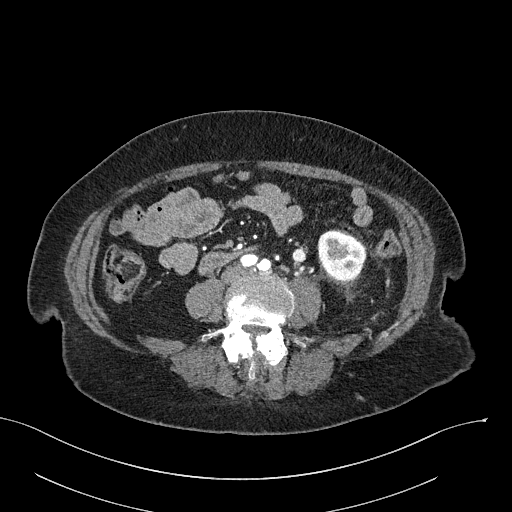
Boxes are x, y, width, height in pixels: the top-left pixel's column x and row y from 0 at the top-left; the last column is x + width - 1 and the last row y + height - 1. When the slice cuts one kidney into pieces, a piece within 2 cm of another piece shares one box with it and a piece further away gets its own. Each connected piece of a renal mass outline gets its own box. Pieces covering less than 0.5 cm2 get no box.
Slice 78/316 of a contrast-enhanced abdominal CT in the arterial phase, counting up from the lowest; pixel size 0.840 mm, slice thickness 2.00 mm. Box x 318, y 230, width 47, height 52: left kidney (outlined area 1,874 px, about 13.2 cm2). No renal mass outline on this slice.
Tube voltage 100 kVp; convolution kernel I40f.